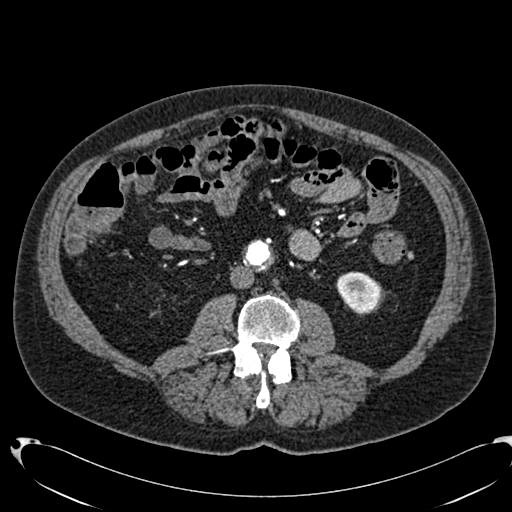
One axial slice (325 of 553, counting up from the lowest) of an arterial-phase abdominal CT acquired with 120 kVp, kernel B20f; each pixel is 0.773 mm and the slice is 1.00 mm thick.
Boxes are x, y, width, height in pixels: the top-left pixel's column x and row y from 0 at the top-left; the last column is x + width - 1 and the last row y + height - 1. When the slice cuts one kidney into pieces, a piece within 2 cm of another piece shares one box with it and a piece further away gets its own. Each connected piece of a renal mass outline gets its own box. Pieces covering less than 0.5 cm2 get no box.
Left kidney, box x 336, y 271, width 46, height 44 (outlined area 1,469 px, about 8.8 cm2). This slice carries no renal mass outline.